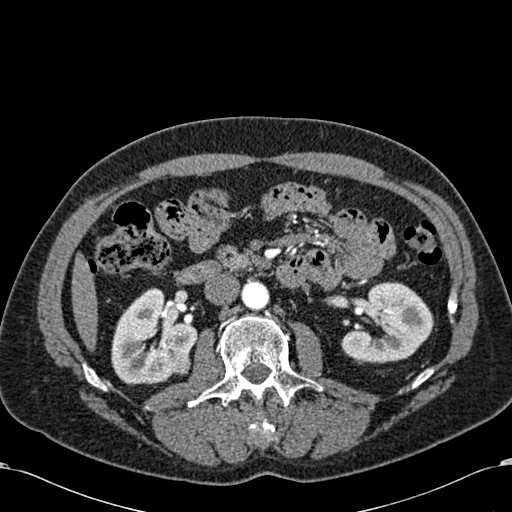
Axial slice 341 of 581 of a contrast-enhanced abdominal CT in the arterial phase (slice 1 is the lowest), 120 kVp, kernel B30f; 1.00 mm slice thickness and 0.713 mm pixels.
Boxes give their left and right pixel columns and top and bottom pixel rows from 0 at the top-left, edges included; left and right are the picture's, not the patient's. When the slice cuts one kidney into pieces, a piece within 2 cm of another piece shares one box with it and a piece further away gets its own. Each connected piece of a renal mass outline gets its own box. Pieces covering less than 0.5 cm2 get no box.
Boxed on this slice (two kidney boxes and one renal mass box), listed by box centre from the image's left to its right: (1) Right kidney, the box with left 111, top 287, right 197, bottom 385 (outlined area 5,625 px, about 28.6 cm2). (2) Box with left 168, top 352, right 190, bottom 375: right renal mass (outlined area 417 px, about 2.1 cm2). (3) Left kidney in the box with left 341, top 282, right 433, bottom 363 (outlined area 5,170 px, about 26.3 cm2).